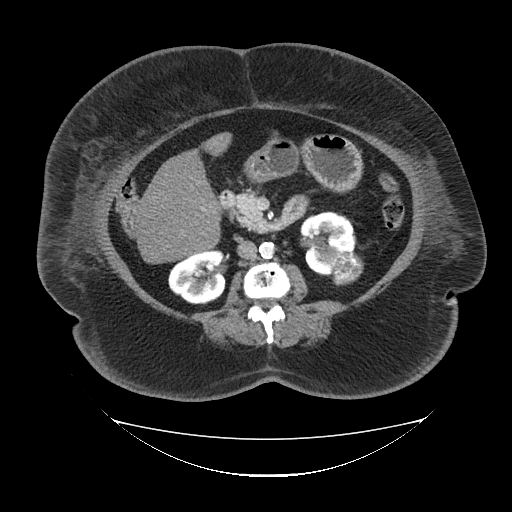
Abdominal CT with intravenous contrast, arterial phase, axial plane, 120 kVp, kernel FC19. Slice 55/85 from the bottom of the scan; thickness 5.00 mm; pixel size 1.041 mm.
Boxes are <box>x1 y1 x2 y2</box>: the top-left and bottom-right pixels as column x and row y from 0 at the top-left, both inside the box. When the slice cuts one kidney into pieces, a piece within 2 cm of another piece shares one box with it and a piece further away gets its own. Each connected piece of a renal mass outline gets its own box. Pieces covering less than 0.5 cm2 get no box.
Boxed on this slice (two kidney boxes and one renal mass box), listed by box centre from the image's left to its right: (1) At <box>168 250 225 304</box>: right kidney (outlined area 2,451 px, about 26.6 cm2). (2) Left kidney at <box>299 211 355 274</box> (outlined area 2,550 px, about 27.6 cm2). (3) Left renal mass at <box>331 251 363 285</box> (outlined area 862 px, about 9.3 cm2).